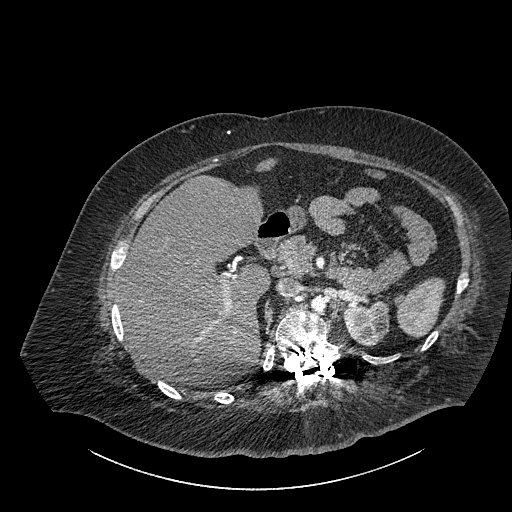
Axial slice 614 of 834 of a contrast-enhanced abdominal CT (slice 1 is the lowest), 140 kVp, kernel I30f; 1.00 mm slice thickness and 0.977 mm pixels.
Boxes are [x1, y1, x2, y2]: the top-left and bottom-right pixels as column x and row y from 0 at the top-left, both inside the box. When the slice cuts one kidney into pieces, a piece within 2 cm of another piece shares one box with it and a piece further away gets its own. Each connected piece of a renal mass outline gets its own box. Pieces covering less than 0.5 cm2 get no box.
Box [343, 300, 389, 346]: left part of the midline-crossing kidney (outlined area 1,607 px, about 15.3 cm2). No renal mass outline on this slice.